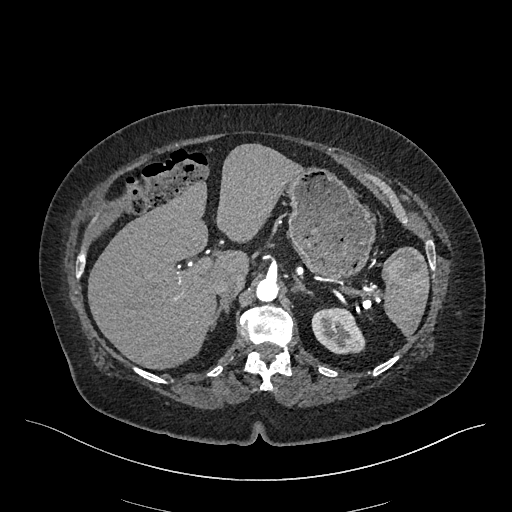
Abdominal CT with intravenous contrast, arterial phase, axial plane, 120 kVp, kernel I26f. Slice 342/548 from the bottom of the scan; thickness 1.00 mm; pixel size 0.852 mm.
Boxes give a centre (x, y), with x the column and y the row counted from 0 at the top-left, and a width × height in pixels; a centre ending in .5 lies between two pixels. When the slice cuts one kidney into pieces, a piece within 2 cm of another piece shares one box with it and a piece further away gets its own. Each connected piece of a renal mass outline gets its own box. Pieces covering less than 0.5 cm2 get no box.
Box centre (338, 330.5), 55 × 48 pixels: left kidney (outlined area 1,937 px, about 14.0 cm2). This slice carries no renal mass outline.